Axial slice 392 of 705 of a contrast-enhanced abdominal CT in the arterial phase (slice 1 is the lowest), 120 kVp, kernel I30f; 1.00 mm slice thickness and 0.703 mm pixels.
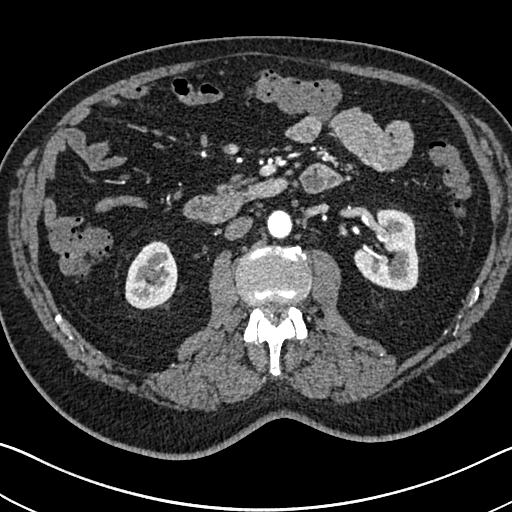
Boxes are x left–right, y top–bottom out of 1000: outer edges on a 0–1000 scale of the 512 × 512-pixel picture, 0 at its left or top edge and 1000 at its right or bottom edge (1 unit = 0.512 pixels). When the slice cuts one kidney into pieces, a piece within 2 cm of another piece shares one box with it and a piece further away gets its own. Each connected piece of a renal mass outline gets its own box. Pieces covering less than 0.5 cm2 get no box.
Two boxes on this slice (two kidney boxes), listed by box centre from the image's left to its right. (1) Box x 244–348, y 469–605 out of 1000: right kidney (outlined area 2,806 px, about 13.9 cm2). (2) Box x 689–818, y 408–570 out of 1000: left kidney (outlined area 3,903 px, about 19.3 cm2). This slice carries no renal mass outline.